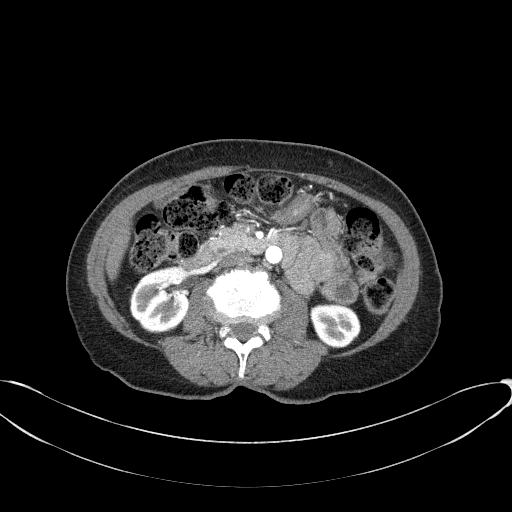
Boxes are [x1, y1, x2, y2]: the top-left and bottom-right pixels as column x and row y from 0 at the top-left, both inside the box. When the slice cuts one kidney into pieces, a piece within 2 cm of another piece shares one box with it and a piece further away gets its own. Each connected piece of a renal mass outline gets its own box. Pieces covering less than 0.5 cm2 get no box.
Slice 26/77 of a contrast-enhanced abdominal CT in the arterial phase, counting up from the lowest; pixel size 0.809 mm, slice thickness 3.00 mm. Two boxes on this slice (two kidney boxes), listed by box centre from the image's left to its right. (1) Right kidney at [129, 265, 190, 333] (outlined area 3,270 px, about 21.4 cm2). (2) Left kidney at [309, 303, 360, 348] (outlined area 1,805 px, about 11.8 cm2). No renal mass outline on this slice.
Tube voltage 100 kVp; convolution kernel B41f.